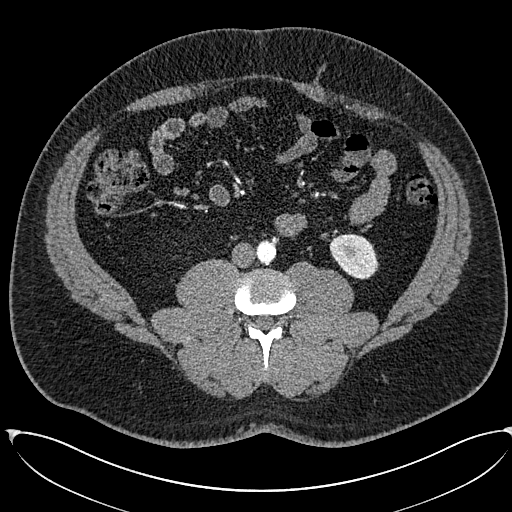
Arterial-phase contrast-enhanced abdominal CT, axial slice 238 of 673 (counted from the lowest slice); tube voltage 120 kVp, convolution kernel I30f; slices 1.00 mm thick, 0.855 mm per pixel.
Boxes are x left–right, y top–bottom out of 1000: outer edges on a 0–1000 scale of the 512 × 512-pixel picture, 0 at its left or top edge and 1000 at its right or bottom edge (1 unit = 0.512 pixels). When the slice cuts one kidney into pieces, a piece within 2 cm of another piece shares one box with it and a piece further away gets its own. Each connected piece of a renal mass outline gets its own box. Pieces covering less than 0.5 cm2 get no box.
Box x 643–740, y 455–547 out of 1000: left kidney (outlined area 1,675 px, about 12.3 cm2). This slice carries no renal mass outline.